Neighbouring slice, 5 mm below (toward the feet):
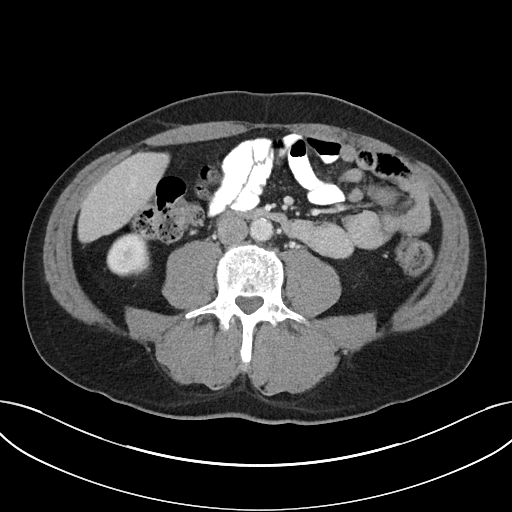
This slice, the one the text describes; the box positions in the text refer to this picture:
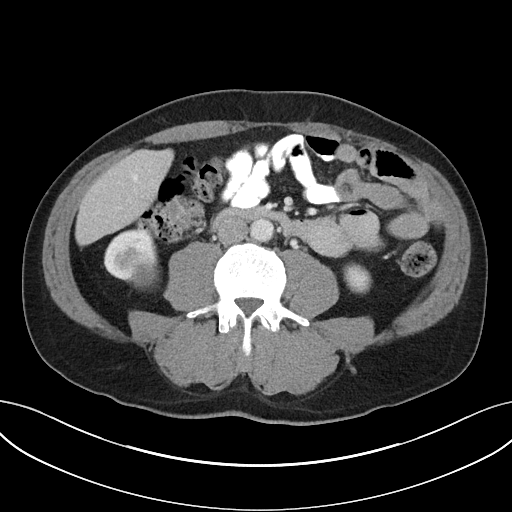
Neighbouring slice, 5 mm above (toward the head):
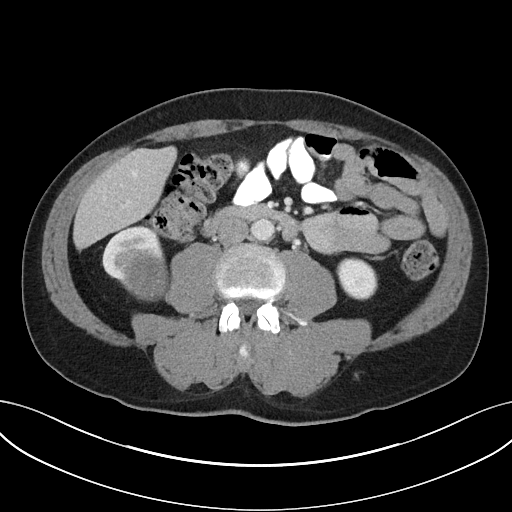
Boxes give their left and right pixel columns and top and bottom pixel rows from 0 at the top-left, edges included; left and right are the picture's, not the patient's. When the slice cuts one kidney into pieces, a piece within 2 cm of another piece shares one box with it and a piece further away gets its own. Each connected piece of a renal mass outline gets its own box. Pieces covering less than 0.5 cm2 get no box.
Arterial-phase contrast-enhanced abdominal CT, axial slice 5 of 32 (counted from the lowest slice); 5.00 mm thick, 0.779 mm per pixel. Boxed on this slice (two kidney boxes and one renal mass box), listed by box centre from the image's left to its right: (1) Right kidney in the box with left 104, top 228, right 158, bottom 282 (outlined area 1,908 px, about 11.6 cm2). (2) Right renal mass in the box with left 129, top 262, right 159, bottom 288 (outlined area 644 px, about 3.9 cm2). (3) Box with left 343, top 262, right 371, bottom 293: left kidney (outlined area 696 px, about 4.2 cm2). This slice is near the end of the right renal mass toward the feet, so the slices 5 mm below and 5 mm above it are shown as well; the boxes refer to this slice only.
Scan settings: 100 kVp, I40f reconstruction kernel.